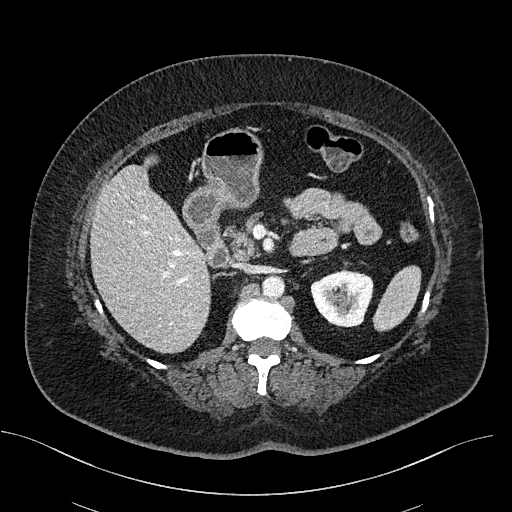
One axial slice (323 of 470, counting up from the lowest) of a contrast-enhanced abdominal CT acquired with 100 kVp, kernel I40f; each pixel is 0.824 mm and the slice is 2.00 mm thick.
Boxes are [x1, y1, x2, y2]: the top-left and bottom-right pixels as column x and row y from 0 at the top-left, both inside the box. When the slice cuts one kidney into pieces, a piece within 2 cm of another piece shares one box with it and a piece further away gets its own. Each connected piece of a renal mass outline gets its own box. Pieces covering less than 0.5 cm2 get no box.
Left kidney, box [310, 270, 373, 327] (outlined area 2,808 px, about 19.1 cm2). No renal mass outline on this slice.